Axial slice 255 of 723 of a contrast-enhanced abdominal CT in the arterial phase (slice 1 is the lowest), 120 kVp, kernel B30f; 1.00 mm slice thickness and 0.895 mm pixels.
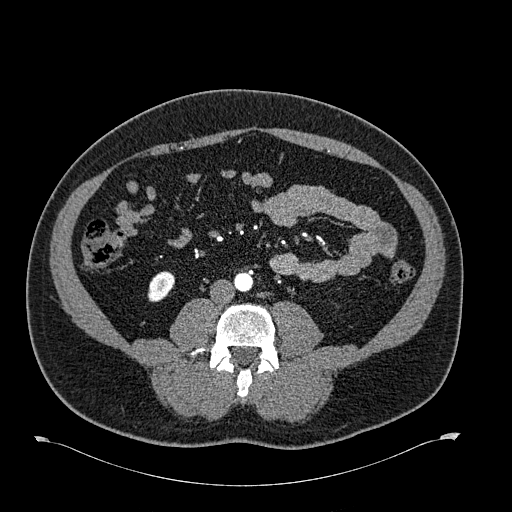
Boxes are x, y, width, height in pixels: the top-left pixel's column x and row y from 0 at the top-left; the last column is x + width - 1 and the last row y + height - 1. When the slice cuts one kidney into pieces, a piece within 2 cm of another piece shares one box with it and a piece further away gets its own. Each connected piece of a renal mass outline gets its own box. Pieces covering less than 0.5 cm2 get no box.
Right kidney, box x 147, y 271, width 28, height 31 (outlined area 625 px, about 5.0 cm2). No renal mass is outlined on this slice.